One axial slice (45 of 88, counting up from the lowest) of an arterial-phase abdominal CT acquired with 120 kVp, kernel B41f; each pixel is 0.723 mm and the slice is 5.00 mm thick.
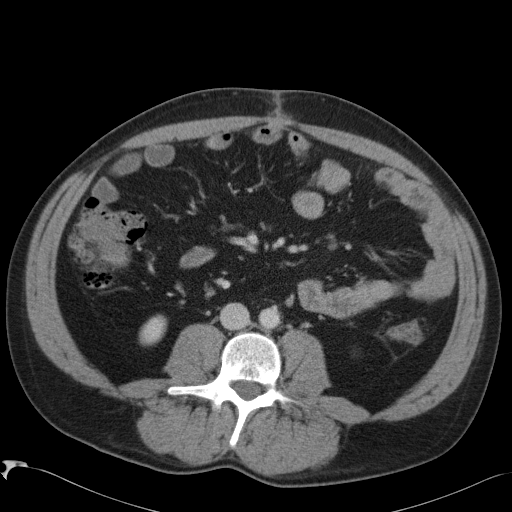
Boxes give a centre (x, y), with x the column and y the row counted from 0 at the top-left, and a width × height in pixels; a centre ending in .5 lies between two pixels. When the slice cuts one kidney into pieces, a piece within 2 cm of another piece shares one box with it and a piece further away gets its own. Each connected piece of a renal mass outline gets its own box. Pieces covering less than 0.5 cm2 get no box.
Right kidney, box centre (152.5, 329.5), 28 × 32 pixels (outlined area 639 px, about 3.3 cm2). No renal mass outline on this slice.